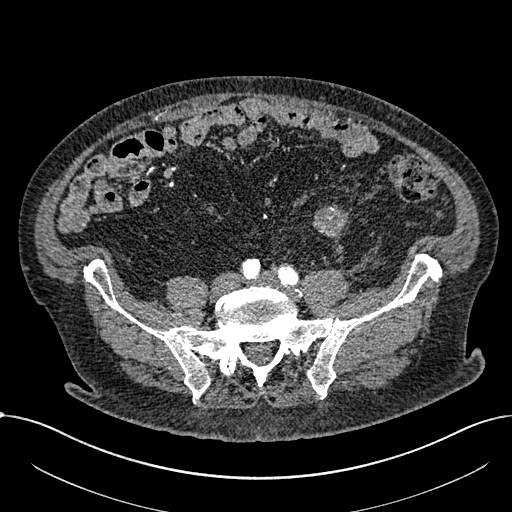
One axial slice (159 of 1059, counting up from the lowest) of an arterial-phase abdominal CT acquired with 100 kVp, kernel I30f; each pixel is 0.811 mm and the slice is 1.00 mm thick.
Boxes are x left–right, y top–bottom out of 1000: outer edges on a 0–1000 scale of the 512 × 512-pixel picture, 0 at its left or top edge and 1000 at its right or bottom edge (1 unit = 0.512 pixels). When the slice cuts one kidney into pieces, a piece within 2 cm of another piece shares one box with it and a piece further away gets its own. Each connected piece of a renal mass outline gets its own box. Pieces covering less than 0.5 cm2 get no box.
Renal mass, box x 609–684, y 400–471 out of 1000 (outlined area 887 px, about 5.8 cm2); no kidney outline appears on this slice, but the same outlined renal mass comes within 1 cm of the kidney on another slice.